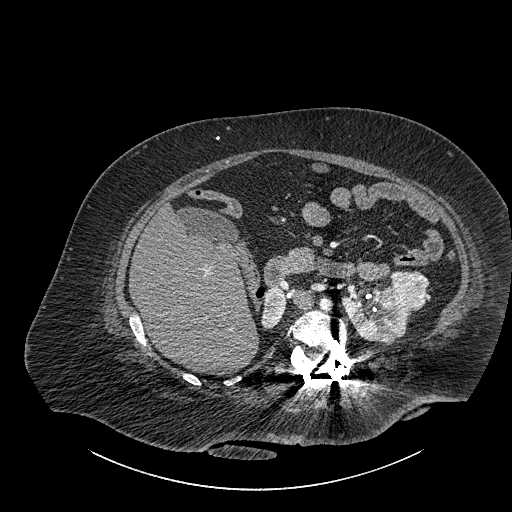
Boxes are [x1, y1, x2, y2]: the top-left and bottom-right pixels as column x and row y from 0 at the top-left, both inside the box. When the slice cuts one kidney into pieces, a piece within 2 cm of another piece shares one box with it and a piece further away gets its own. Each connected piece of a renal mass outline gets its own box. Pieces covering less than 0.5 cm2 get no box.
This is axial slice 552 of 834 (slice 1 is the lowest) of an abdominal CT with contrast; each pixel is 0.977 mm and the slice is 1.00 mm thick. Two kidney boxes and one renal mass box on this slice; by box centre, from the image's left to its right: (1) Right part of the midline-crossing kidney, box [261, 287, 285, 330] (outlined area 791 px, about 7.5 cm2). (2) Left part of the midline-crossing kidney at [342, 286, 416, 344] (outlined area 2,616 px, about 24.9 cm2). (3) Renal mass at [391, 270, 428, 309] (outlined area 1,227 px, about 11.7 cm2).
Tube voltage 140 kVp; convolution kernel I30f.